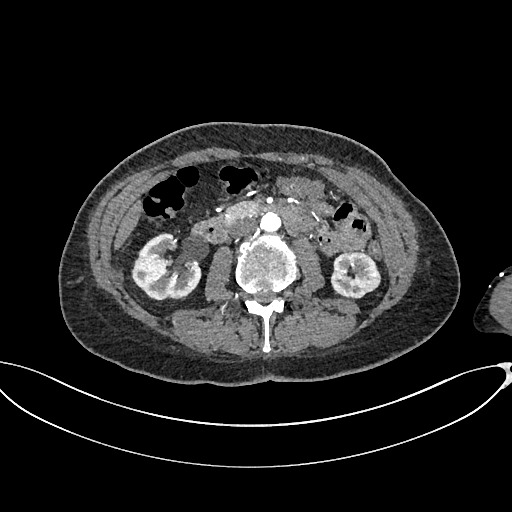
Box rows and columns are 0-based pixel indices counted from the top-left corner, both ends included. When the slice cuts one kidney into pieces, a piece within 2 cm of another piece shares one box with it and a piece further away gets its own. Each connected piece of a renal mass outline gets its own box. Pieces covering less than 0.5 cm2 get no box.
Arterial-phase contrast-enhanced abdominal CT, axial slice 353 of 665 (counted from the lowest slice); 1.00 mm thick, 0.828 mm per pixel. Two kidney boxes on this slice; by box centre, from the image's left to its right: (1) Right kidney at rows 233–300, columns 131–201 (outlined area 3,329 px, about 22.8 cm2). (2) Left kidney, box rows 251–298, columns 330–381 (outlined area 1,867 px, about 12.8 cm2). No renal mass is outlined on this slice.
Acquired at 100 kVp and reconstructed with the I26f kernel.